One axial slice (469 of 634, counting up from the lowest) of an arterial-phase abdominal CT acquired with 120 kVp, kernel B20f; each pixel is 0.838 mm and the slice is 1.00 mm thick.
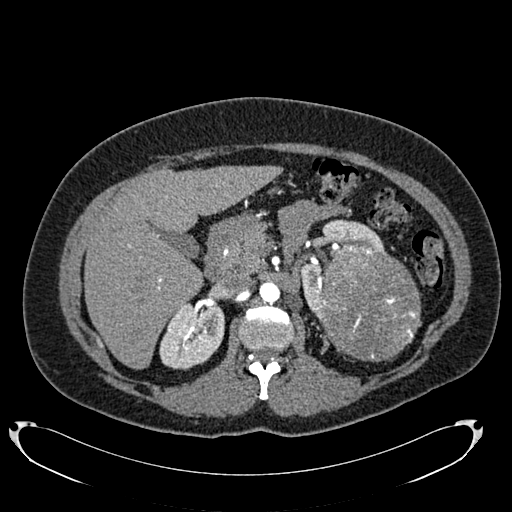
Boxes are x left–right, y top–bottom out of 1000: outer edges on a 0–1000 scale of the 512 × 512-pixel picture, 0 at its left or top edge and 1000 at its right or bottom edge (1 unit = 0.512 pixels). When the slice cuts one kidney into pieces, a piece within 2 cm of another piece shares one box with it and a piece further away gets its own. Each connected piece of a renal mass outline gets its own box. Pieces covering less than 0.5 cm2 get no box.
Two kidney boxes and one renal mass box on this slice; by box centre, from the image's left to its right: (1) Right kidney, box x 311–439, y 588–725 out of 1000 (outlined area 3,410 px, about 23.9 cm2). (2) Box x 580–750, y 428–621 out of 1000: left kidney (outlined area 2,586 px, about 18.2 cm2). (3) Left renal mass, box x 619–824, y 479–709 out of 1000 (outlined area 9,671 px, about 67.9 cm2).